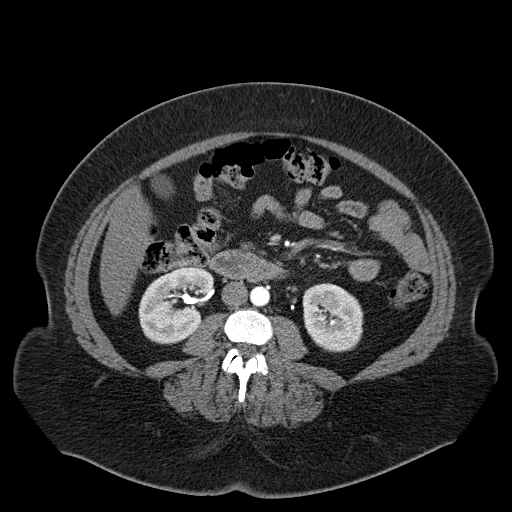
One axial slice (29 of 55, counting up from the lowest) of a contrast-enhanced abdominal CT acquired with 120 kVp, kernel B30f; each pixel is 0.908 mm and the slice is 5.00 mm thick.
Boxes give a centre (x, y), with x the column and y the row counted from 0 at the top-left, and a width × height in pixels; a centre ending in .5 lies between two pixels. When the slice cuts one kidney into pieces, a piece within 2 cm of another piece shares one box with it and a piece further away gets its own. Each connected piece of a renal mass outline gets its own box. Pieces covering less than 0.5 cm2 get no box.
Boxed on this slice (two kidney boxes), listed by box centre from the image's left to its right: (1) Box centre (176, 305), 77 × 79 pixels: right kidney (outlined area 4,287 px, about 35.4 cm2). (2) Left kidney in a box with centre (332.5, 317.5), 62 × 70 pixels (outlined area 3,414 px, about 28.2 cm2). No renal mass is outlined on this slice.